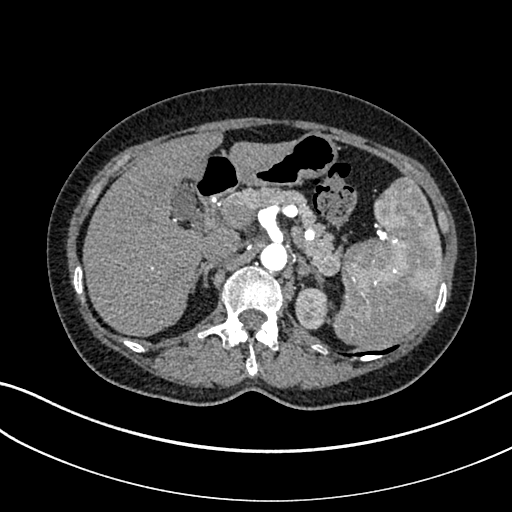
Abdominal CT with intravenous contrast, arterial phase, axial plane, 100 kVp, kernel I30f. Slice 244/325 from the bottom of the scan; thickness 1.00 mm; pixel size 0.703 mm.
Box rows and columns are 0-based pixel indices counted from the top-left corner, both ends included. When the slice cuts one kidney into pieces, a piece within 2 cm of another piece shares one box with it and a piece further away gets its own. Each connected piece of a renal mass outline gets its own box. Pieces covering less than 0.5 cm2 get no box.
Left kidney, box rows 287–329, columns 295–327 (outlined area 1,153 px, about 5.7 cm2).